One axial slice (118 of 326, counting up from the lowest) of an arterial-phase abdominal CT acquired with 120 kVp, kernel B31f; each pixel is 0.963 mm and the slice is 2.00 mm thick.
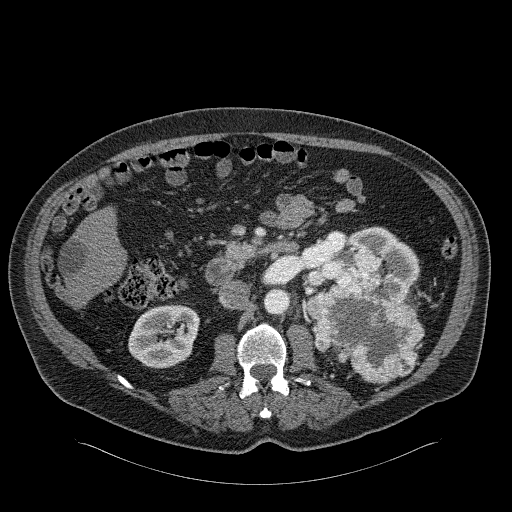
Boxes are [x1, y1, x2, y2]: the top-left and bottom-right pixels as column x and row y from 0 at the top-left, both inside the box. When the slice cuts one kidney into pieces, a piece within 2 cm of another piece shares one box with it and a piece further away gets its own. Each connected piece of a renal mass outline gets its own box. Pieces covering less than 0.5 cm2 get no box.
Boxed on this slice (two kidney boxes and one renal mass box), listed by box centre from the image's left to its right: (1) Box [128, 304, 199, 368]: right kidney (outlined area 3,554 px, about 33.0 cm2). (2) Left kidney, box [306, 226, 420, 300] (outlined area 3,737 px, about 34.6 cm2). (3) Left renal mass at [305, 248, 424, 383] (outlined area 9,284 px, about 86.1 cm2).